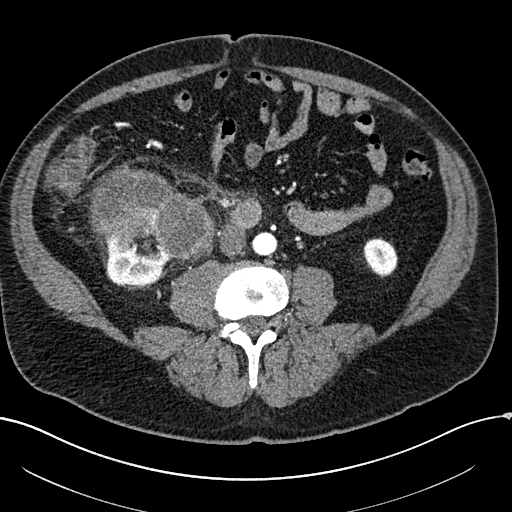
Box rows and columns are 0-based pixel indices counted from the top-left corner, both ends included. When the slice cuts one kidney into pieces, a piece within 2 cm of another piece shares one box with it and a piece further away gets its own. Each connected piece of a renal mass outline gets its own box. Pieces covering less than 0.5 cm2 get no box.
Arterial-phase contrast-enhanced abdominal CT, axial slice 49 of 304 (counted from the lowest slice); 2.00 mm thick, 0.809 mm per pixel. Two kidney boxes and one renal mass box on this slice; by box centre, from the image's left to its right: (1) Box rows 232–285, columns 104–172: right kidney (outlined area 2,633 px, about 17.2 cm2). (2) Box rows 164–262, columns 89–215: right renal mass (outlined area 7,739 px, about 50.6 cm2). (3) Left kidney at rows 237–277, columns 363–397 (outlined area 1,056 px, about 6.9 cm2).
Tube voltage 100 kVp; convolution kernel I30f.